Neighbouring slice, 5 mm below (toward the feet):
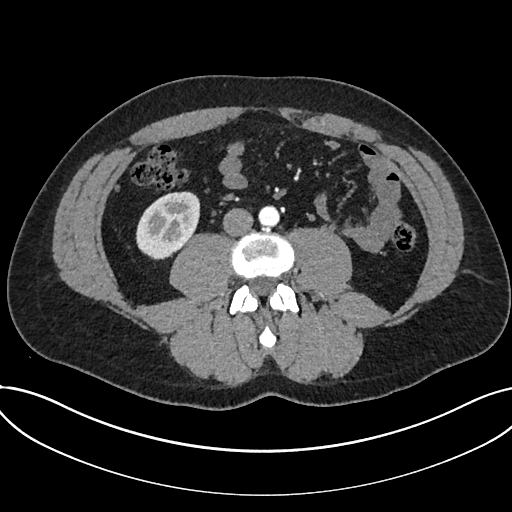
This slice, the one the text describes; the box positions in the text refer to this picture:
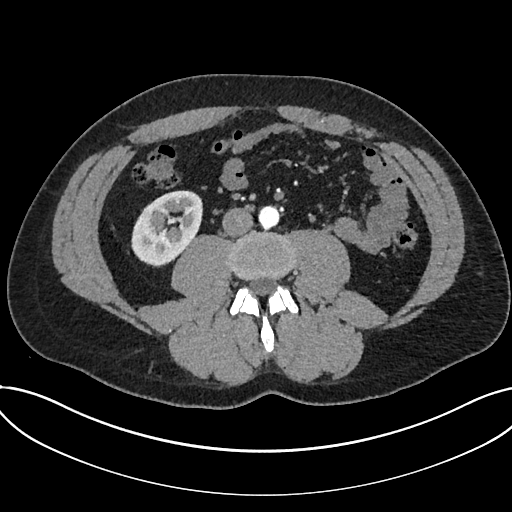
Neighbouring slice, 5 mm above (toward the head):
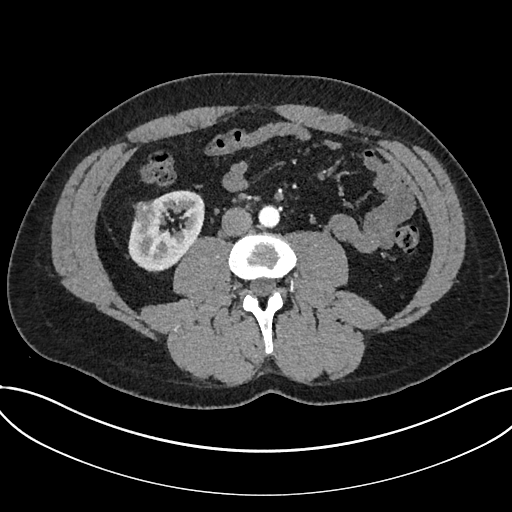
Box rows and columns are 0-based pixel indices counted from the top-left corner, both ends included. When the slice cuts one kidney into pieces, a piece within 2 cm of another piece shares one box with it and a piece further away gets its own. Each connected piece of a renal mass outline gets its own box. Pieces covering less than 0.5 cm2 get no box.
This is axial slice 308 of 735 (slice 1 is the lowest) of an arterial-phase abdominal CT with contrast; each pixel is 0.789 mm and the slice is 1.00 mm thick. Two boxes on this slice (one kidney box and one renal mass box), listed by box centre from the image's left to its right. (1) Renal mass at rows 205–215, columns 142–154 (outlined area 108 px, about 0.7 cm2). (2) Kidney, box rows 190–265, columns 131–203 (outlined area 3,813 px, about 23.7 cm2). This slice lies near the end of a renal mass toward the feet; the slices 5 mm below and 5 mm above it are shown too, and the boxes mark positions on this slice only.
Scan settings: 120 kVp, I30f reconstruction kernel.